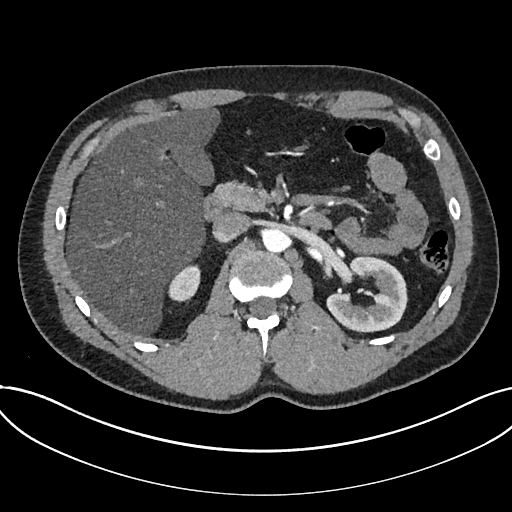
One axial slice (465 of 735, counting up from the lowest) of an arterial-phase abdominal CT acquired with 120 kVp, kernel I30f; each pixel is 0.789 mm and the slice is 1.00 mm thick.
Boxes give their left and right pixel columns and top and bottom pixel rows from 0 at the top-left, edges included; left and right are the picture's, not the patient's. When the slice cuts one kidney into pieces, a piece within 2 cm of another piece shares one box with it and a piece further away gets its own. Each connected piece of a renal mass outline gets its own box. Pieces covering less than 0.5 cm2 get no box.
Two boxes on this slice (two kidney boxes), listed by box centre from the image's left to its right. (1) Box with left 167, top 264, right 200, bottom 302: kidney (outlined area 900 px, about 5.6 cm2). (2) Kidney in the box with left 326, top 256, right 407, bottom 332 (outlined area 4,169 px, about 26.0 cm2). This slice carries no renal mass outline.